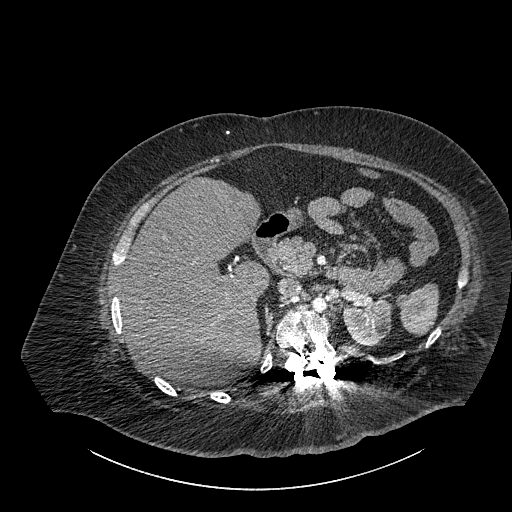
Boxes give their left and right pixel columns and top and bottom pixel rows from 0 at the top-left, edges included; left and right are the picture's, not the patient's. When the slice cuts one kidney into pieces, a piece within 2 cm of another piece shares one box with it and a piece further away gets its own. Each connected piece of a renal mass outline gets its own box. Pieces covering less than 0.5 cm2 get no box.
Contrast-enhanced abdominal CT, axial slice 608 of 834 (counted from the lowest slice); 1.00 mm thick, 0.977 mm per pixel. Box with left 343, top 298, right 390, bottom 346: left part of the midline-crossing kidney (outlined area 1,831 px, about 17.5 cm2). No renal mass outline on this slice.
Acquired at 140 kVp and reconstructed with the I30f kernel.